Axial slice 373 of 673 of a contrast-enhanced abdominal CT in the arterial phase (slice 1 is the lowest), 140 kVp, kernel I30f; 1.00 mm slice thickness and 0.957 mm pixels.
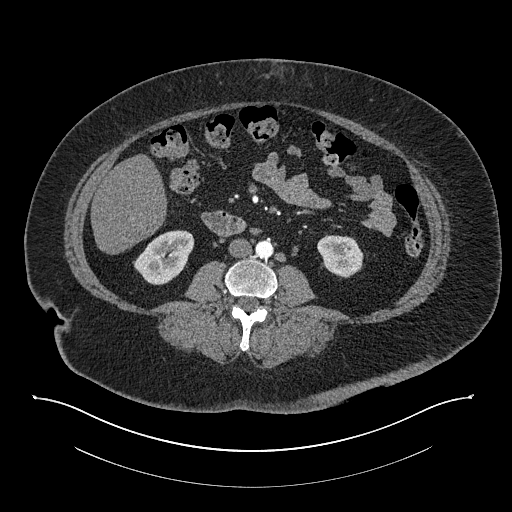
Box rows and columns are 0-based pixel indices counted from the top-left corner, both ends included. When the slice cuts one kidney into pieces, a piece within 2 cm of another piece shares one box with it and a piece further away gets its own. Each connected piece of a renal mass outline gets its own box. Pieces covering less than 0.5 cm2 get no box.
Boxed on this slice (two kidney boxes), listed by box centre from the image's left to its right: (1) Right kidney at rows 230–284, columns 133–194 (outlined area 2,270 px, about 20.8 cm2). (2) Left kidney at rows 235–277, columns 317–363 (outlined area 1,530 px, about 14.0 cm2). No renal mass outline on this slice.